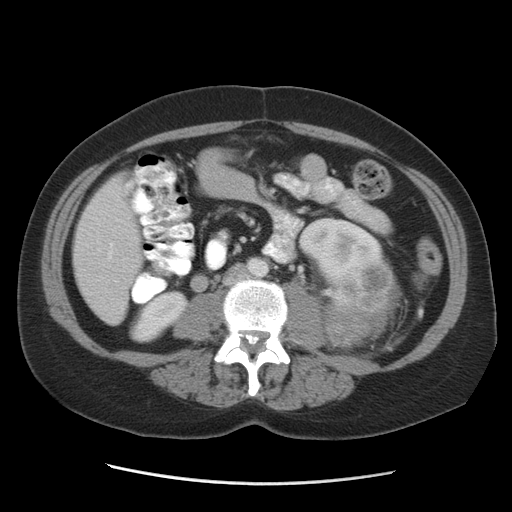
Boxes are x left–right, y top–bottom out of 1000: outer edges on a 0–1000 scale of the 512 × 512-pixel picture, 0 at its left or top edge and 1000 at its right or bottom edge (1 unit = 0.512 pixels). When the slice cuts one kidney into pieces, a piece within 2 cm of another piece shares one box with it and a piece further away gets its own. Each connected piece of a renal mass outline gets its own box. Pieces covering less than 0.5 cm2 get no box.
Contrast-enhanced abdominal CT, axial slice 44 of 84 (counted from the lowest slice); 5.00 mm thick, 0.717 mm per pixel. Two kidney boxes and one renal mass box on this slice; by box centre, from the image's left to its right: (1) Box x 252–367, y 564–672 out of 1000: right kidney (outlined area 1,943 px, about 10.0 cm2). (2) Left kidney, box x 582–760, y 420–559 out of 1000 (outlined area 3,589 px, about 18.4 cm2). (3) Left renal mass, box x 631–787, y 508–682 out of 1000 (outlined area 5,286 px, about 27.2 cm2).
Tube voltage 140 kVp; convolution kernel STANDARD.